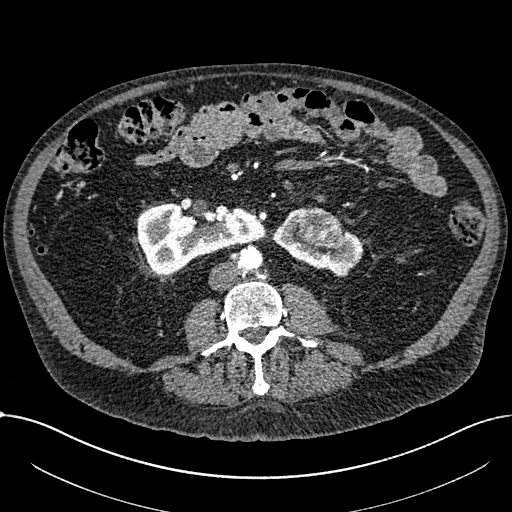
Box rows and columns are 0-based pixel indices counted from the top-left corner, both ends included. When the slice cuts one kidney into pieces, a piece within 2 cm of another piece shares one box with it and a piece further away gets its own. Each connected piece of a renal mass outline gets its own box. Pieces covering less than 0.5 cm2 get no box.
Slice 316/1059 of a contrast-enhanced abdominal CT in the arterial phase, counting up from the lowest; pixel size 0.811 mm, slice thickness 1.00 mm. Two kidney boxes and one renal mass box on this slice; by box centre, from the image's left to its right: (1) Right part of the midline-crossing kidney, box rows 202–273, columns 137–265 (outlined area 6,134 px, about 40.3 cm2). (2) Left part of the midline-crossing kidney at rows 206–277, columns 273–363 (outlined area 2,620 px, about 17.2 cm2). (3) Renal mass, box rows 210–249, columns 296–344 (outlined area 1,455 px, about 9.6 cm2).
Acquired at 100 kVp and reconstructed with the I30f kernel.